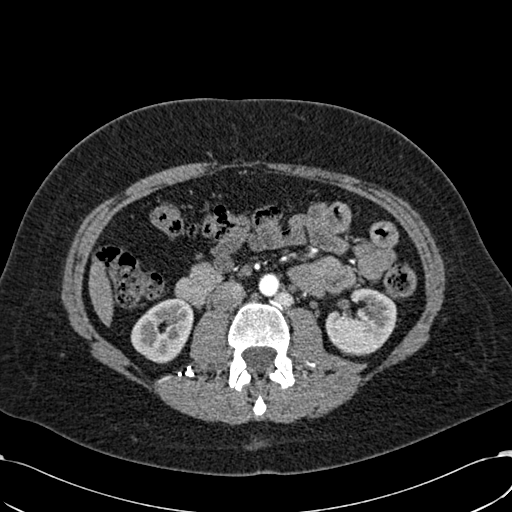
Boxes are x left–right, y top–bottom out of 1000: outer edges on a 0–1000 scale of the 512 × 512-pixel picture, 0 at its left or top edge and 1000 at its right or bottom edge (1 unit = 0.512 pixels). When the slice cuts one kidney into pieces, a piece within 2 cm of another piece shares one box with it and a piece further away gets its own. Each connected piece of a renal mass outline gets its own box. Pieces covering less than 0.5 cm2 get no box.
This is axial slice 309 of 532 (slice 1 is the lowest) of an arterial-phase abdominal CT with contrast; each pixel is 0.713 mm and the slice is 1.00 mm thick. Two kidney boxes on this slice; by box centre, from the image's left to its right: (1) Box x 254–379, y 582–711 out of 1000: right kidney (outlined area 2,957 px, about 15.0 cm2). (2) Box x 635–775, y 561–695 out of 1000: left kidney (outlined area 3,513 px, about 17.9 cm2). This slice carries no renal mass outline.
Tube voltage 120 kVp; convolution kernel B30f.